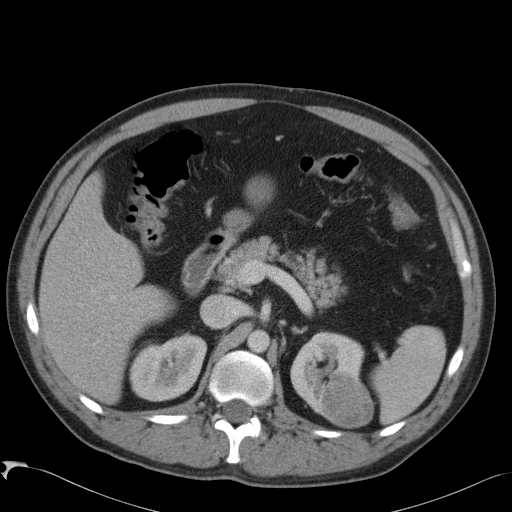
Abdominal CT with intravenous contrast, arterial phase, axial plane, 120 kVp, kernel B41f. Slice 63/88 from the bottom of the scan; thickness 5.00 mm; pixel size 0.723 mm.
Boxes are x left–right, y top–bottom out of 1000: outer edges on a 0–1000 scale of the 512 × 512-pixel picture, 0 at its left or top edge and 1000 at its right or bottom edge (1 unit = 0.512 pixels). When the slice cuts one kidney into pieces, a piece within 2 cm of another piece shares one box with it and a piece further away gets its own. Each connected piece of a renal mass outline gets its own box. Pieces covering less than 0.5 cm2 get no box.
Boxed on this slice (two kidney boxes and one renal mass box), listed by box centre from the image's left to its right: (1) Right kidney at x 252–406, y 648–785 out of 1000 (outlined area 3,920 px, about 20.5 cm2). (2) Box x 566–713, y 646–811 out of 1000: left kidney (outlined area 3,302 px, about 17.2 cm2). (3) Left renal mass at x 623–732, y 723–838 out of 1000 (outlined area 2,482 px, about 13.0 cm2).